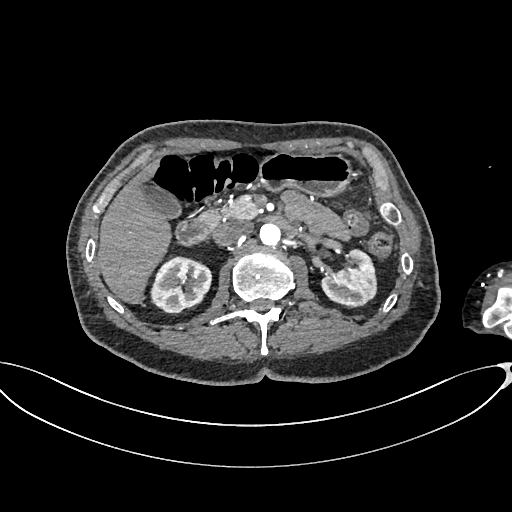
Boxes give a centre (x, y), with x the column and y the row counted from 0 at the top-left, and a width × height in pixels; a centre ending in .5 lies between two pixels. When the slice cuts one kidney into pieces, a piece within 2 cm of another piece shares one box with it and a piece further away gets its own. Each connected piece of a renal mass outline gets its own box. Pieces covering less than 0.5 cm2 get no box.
This is axial slice 420 of 665 (slice 1 is the lowest) of an arterial-phase abdominal CT with contrast; each pixel is 0.828 mm and the slice is 1.00 mm thick. Boxed on this slice (two kidney boxes), listed by box centre from the image's left to its right: (1) Right kidney in a box with centre (181, 285), 63 × 59 pixels (outlined area 2,710 px, about 18.6 cm2). (2) Left kidney in a box with centre (348.5, 278.5), 58 × 60 pixels (outlined area 2,342 px, about 16.1 cm2). No renal mass outline on this slice.
Tube voltage 100 kVp; convolution kernel I26f.